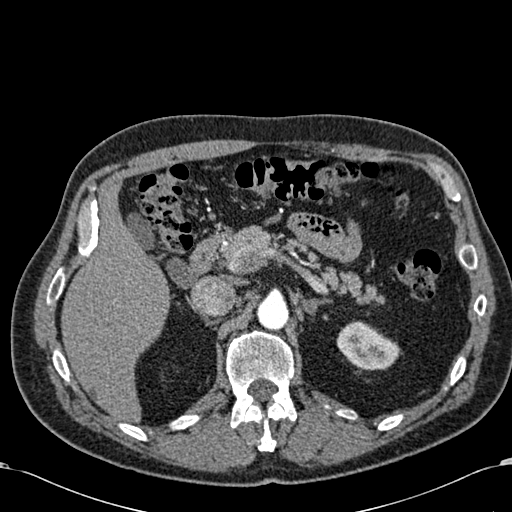
Abdominal CT with intravenous contrast, arterial phase, axial plane, 120 kVp, kernel B30f. Slice 431/581 from the bottom of the scan; thickness 1.00 mm; pixel size 0.713 mm.
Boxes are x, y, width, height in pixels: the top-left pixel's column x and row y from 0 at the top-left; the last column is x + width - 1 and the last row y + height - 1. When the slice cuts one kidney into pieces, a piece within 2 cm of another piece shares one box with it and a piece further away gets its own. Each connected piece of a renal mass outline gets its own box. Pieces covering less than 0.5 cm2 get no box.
Left kidney at x 336, y 321, width 67, height 50 (outlined area 2,225 px, about 11.3 cm2). This slice carries no renal mass outline.